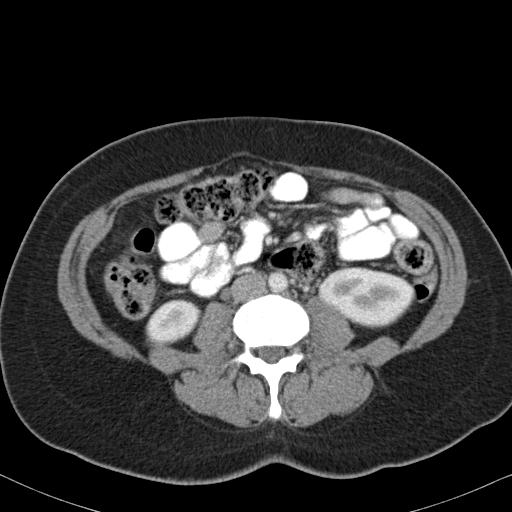
Abdominal CT with intravenous contrast, arterial phase, axial plane, 120 kVp, kernel B31f. Slice 51/82 from the bottom of the scan; thickness 5.00 mm; pixel size 0.625 mm.
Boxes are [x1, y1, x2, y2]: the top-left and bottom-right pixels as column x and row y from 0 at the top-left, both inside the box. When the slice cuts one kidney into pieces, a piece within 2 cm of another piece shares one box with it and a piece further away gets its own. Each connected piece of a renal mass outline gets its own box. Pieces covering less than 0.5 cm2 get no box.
Two boxes on this slice (two kidney boxes), listed by box centre from the image's left to its right. (1) Box [146, 299, 202, 345]: right kidney (outlined area 1,865 px, about 7.3 cm2). (2) Left kidney, box [318, 267, 414, 327] (outlined area 4,274 px, about 16.7 cm2). This slice carries no renal mass outline.